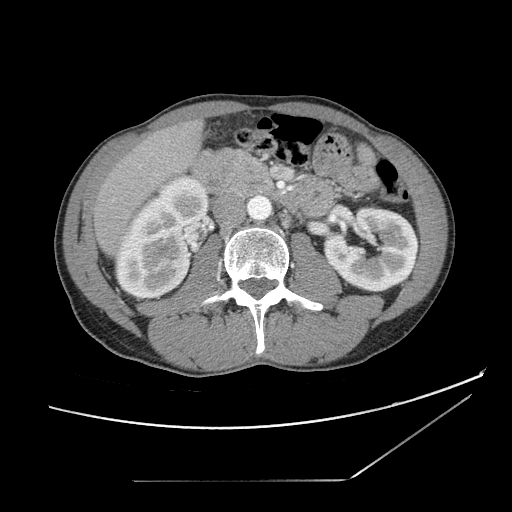
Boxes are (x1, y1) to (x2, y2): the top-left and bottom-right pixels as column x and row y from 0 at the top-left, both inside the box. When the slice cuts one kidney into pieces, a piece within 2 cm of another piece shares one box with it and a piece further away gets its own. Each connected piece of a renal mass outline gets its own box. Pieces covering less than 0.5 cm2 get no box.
This is axial slice 57 of 121 (slice 1 is the lowest) of an abdominal CT with contrast; each pixel is 0.742 mm and the slice is 2.50 mm thick. Two boxes on this slice (two kidney boxes), listed by box centre from the image's left to its right. (1) Box (114, 174) to (208, 302): right kidney (outlined area 7,497 px, about 41.3 cm2). (2) Left kidney from (324, 205) to (417, 293) (outlined area 5,991 px, about 33.0 cm2). No renal mass is outlined on this slice.
Scan settings: 120 kVp, STANDARD reconstruction kernel.